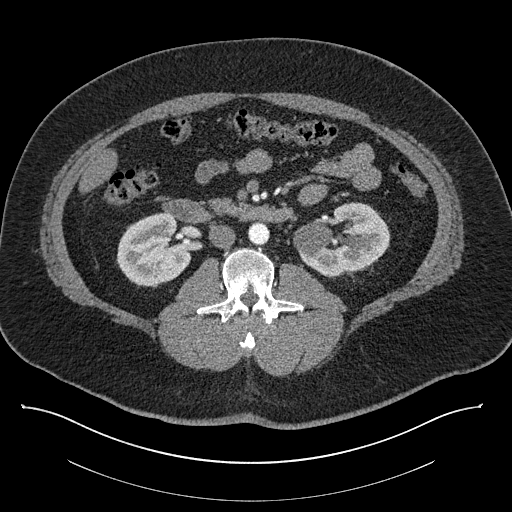
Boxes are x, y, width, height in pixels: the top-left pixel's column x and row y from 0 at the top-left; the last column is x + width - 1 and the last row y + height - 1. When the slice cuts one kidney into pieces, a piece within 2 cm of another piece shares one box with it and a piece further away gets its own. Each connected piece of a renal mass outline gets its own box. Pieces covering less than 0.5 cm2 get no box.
Contrast-enhanced abdominal CT, axial slice 462 of 787 (counted from the lowest slice); 1.00 mm thick, 0.910 mm per pixel. Boxed on this slice (two kidney boxes), listed by box centre from the image's left to its right: (1) Right kidney, box x 116, y 212, width 75, height 76 (outlined area 4,135 px, about 34.3 cm2). (2) Left kidney, box x 293, y 202, width 98, height 76 (outlined area 5,156 px, about 42.7 cm2). No renal mass outline on this slice.
Tube voltage 140 kVp; convolution kernel I30f.